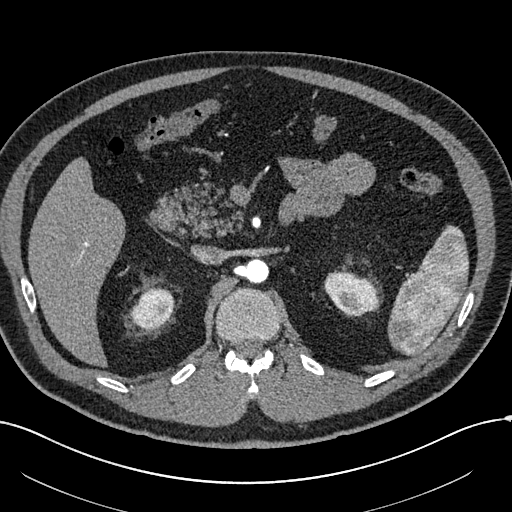
Axial slice 406 of 602 of a contrast-enhanced abdominal CT in the arterial phase (slice 1 is the lowest), 120 kVp, kernel I30f; 1.00 mm slice thickness and 0.799 mm pixels.
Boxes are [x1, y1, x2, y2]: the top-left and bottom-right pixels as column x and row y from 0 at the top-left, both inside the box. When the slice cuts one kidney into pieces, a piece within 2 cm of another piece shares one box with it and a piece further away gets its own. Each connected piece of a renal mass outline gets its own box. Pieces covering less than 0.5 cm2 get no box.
Two boxes on this slice (two kidney boxes), listed by box centre from the image's left to its right. (1) Right kidney, box [130, 288, 173, 330] (outlined area 1,407 px, about 9.0 cm2). (2) Box [324, 271, 377, 316]: left kidney (outlined area 1,799 px, about 11.5 cm2). This slice carries no renal mass outline.